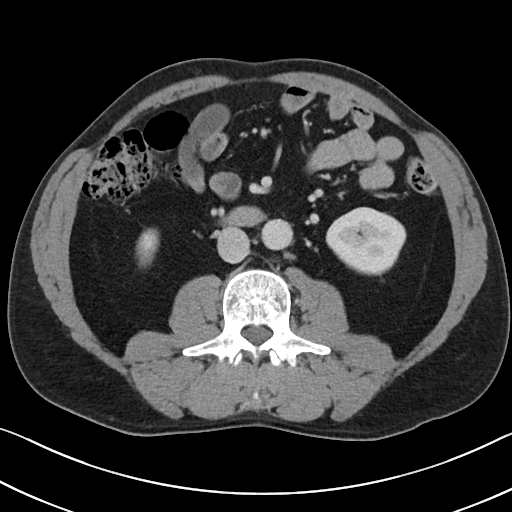
Axial slice 56 of 101 of a contrast-enhanced abdominal CT (slice 1 is the lowest), 100 kVp, kernel I40f; 5.00 mm slice thickness and 0.684 mm pixels.
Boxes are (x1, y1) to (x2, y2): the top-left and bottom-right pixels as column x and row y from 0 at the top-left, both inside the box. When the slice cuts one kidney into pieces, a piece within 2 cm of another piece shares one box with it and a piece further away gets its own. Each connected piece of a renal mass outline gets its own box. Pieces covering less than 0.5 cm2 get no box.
Boxed on this slice (two kidney boxes), listed by box centre from the image's left to its right: (1) Box (136, 228) to (158, 266): right kidney (outlined area 663 px, about 3.1 cm2). (2) Left kidney, box (325, 207) to (406, 275) (outlined area 4,058 px, about 19.0 cm2). No renal mass outline on this slice.